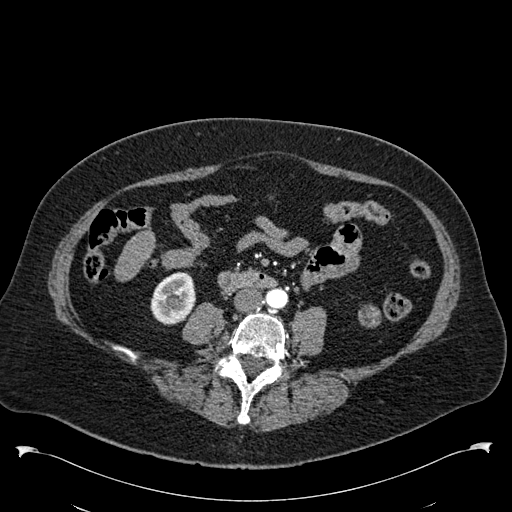
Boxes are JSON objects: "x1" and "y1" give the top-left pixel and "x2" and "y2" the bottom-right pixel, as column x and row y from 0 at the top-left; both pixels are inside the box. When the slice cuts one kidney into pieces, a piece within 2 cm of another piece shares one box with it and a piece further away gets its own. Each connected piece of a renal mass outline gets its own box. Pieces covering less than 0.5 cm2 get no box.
This is axial slice 217 of 538 (slice 1 is the lowest) of an arterial-phase abdominal CT with contrast; each pixel is 0.811 mm and the slice is 1.00 mm thick. Boxed on this slice (one kidney box and one renal mass box), listed by box centre from the image's left to its right: (1) Box {"x1": 150, "y1": 272, "x2": 195, "y2": 325}: right kidney (outlined area 1,878 px, about 12.3 cm2). (2) Left renal mass at {"x1": 358, "y1": 304, "x2": 380, "y2": 327} (outlined area 433 px, about 2.8 cm2); on this slice it lies more than 1 cm from any kidney outline, but the same outlined renal mass comes within 1 cm of the kidney on another slice.
Tube voltage 120 kVp; convolution kernel B30f.